One axial slice (269 of 541, counting up from the lowest) of an arterial-phase abdominal CT acquired with 120 kVp, kernel I30f; each pixel is 0.834 mm and the slice is 1.00 mm thick.
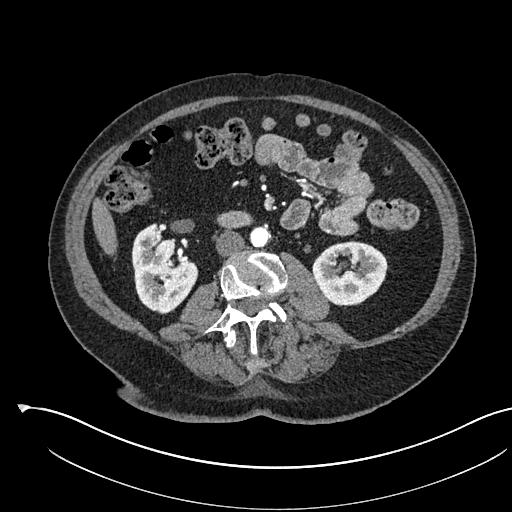
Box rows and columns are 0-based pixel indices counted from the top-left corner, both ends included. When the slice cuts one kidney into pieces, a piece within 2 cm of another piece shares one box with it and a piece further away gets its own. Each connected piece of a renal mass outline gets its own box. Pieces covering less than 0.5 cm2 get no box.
Two kidney boxes on this slice; by box centre, from the image's left to its right: (1) Right kidney, box rows 223–314, columns 131–197 (outlined area 4,163 px, about 29.0 cm2). (2) Left kidney, box rows 240–306, columns 312–388 (outlined area 3,723 px, about 25.9 cm2). No renal mass is outlined on this slice.